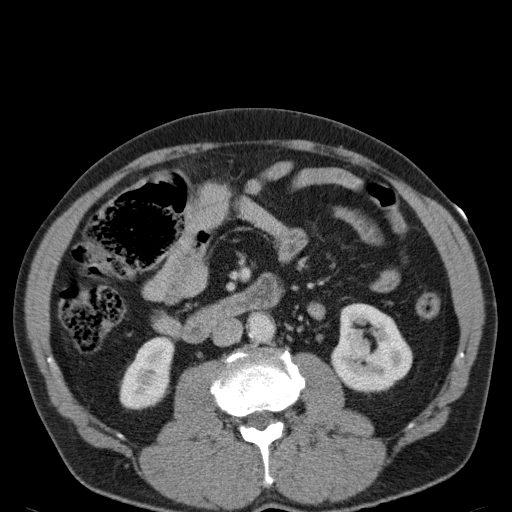
Contrast-enhanced abdominal CT, axial slice 62 of 107 (counted from the lowest slice); tube voltage 120 kVp, convolution kernel B31f; slices 5.00 mm thick, 0.730 mm per pixel.
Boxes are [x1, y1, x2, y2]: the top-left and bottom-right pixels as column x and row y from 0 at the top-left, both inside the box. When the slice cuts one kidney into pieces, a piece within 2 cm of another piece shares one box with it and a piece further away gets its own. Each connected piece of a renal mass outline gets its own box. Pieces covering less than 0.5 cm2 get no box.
Two boxes on this slice (two kidney boxes), listed by box centre from the image's left to its right. (1) Right kidney, box [119, 335, 175, 410] (outlined area 2,964 px, about 15.8 cm2). (2) Left kidney at [330, 303, 412, 393] (outlined area 5,359 px, about 28.6 cm2). No renal mass is outlined on this slice.